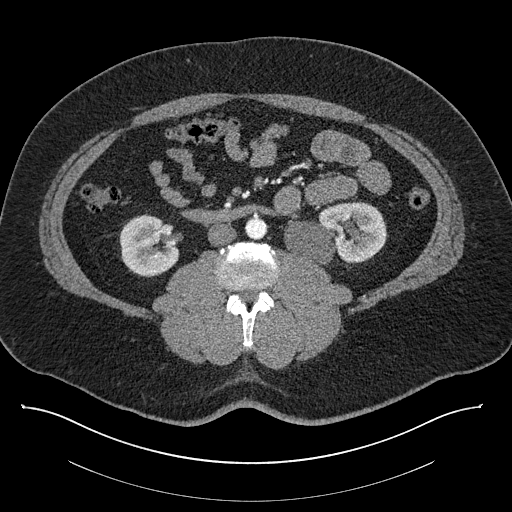
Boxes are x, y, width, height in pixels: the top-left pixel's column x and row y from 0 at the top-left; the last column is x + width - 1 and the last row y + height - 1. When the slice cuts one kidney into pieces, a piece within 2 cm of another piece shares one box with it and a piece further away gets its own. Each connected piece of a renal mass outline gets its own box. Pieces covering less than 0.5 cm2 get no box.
Slice 423/787 of a contrast-enhanced abdominal CT, counting up from the lowest; pixel size 0.910 mm, slice thickness 1.00 mm. Two boxes on this slice (two kidney boxes), listed by box centre from the image's left to its right. (1) Right kidney, box x 119, y 214, width 61, height 64 (outlined area 2,891 px, about 23.9 cm2). (2) Left kidney at x 284, y 201, width 104, height 65 (outlined area 4,790 px, about 39.7 cm2). No renal mass is outlined on this slice.
Tube voltage 140 kVp; convolution kernel I30f.